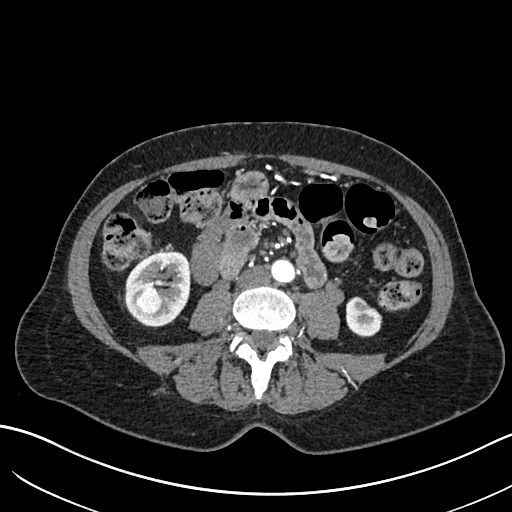
Abdominal CT with intravenous contrast, arterial phase, axial plane, 120 kVp, kernel I30f. Slice 290/683 from the bottom of the scan; thickness 1.00 mm; pixel size 0.738 mm.
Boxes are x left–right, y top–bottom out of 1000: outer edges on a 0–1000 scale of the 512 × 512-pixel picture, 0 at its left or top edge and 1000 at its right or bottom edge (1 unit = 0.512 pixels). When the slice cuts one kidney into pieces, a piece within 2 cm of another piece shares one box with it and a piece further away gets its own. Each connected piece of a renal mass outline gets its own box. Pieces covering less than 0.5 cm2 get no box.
Boxed on this slice (two kidney boxes and one renal mass box), listed by box centre from the image's left to its right: (1) Right renal mass at x 266–320, y 559–617 out of 1000 (outlined area 637 px, about 3.5 cm2). (2) Right kidney at x 244–373, y 490–639 out of 1000 (outlined area 3,387 px, about 18.5 cm2). (3) Box x 676–748, y 578–660 out of 1000: left kidney (outlined area 1,107 px, about 6.0 cm2).